One axial slice (403 of 738, counting up from the lowest) of an arterial-phase abdominal CT acquired with 120 kVp, kernel I30f; each pixel is 0.789 mm and the slice is 1.00 mm thick.
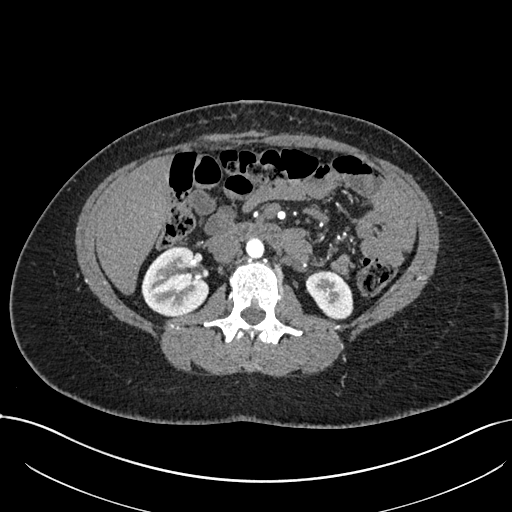
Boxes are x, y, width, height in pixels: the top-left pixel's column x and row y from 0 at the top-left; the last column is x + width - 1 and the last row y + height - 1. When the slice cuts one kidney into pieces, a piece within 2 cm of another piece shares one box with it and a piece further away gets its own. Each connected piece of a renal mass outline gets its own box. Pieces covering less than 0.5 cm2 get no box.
Two kidney boxes on this slice; by box centre, from the image's left to its right: (1) Right kidney, box x 141, y 246, width 68, height 71 (outlined area 3,569 px, about 22.2 cm2). (2) Box x 305, y 270, width 49, height 50: left kidney (outlined area 1,750 px, about 10.9 cm2). This slice carries no renal mass outline.